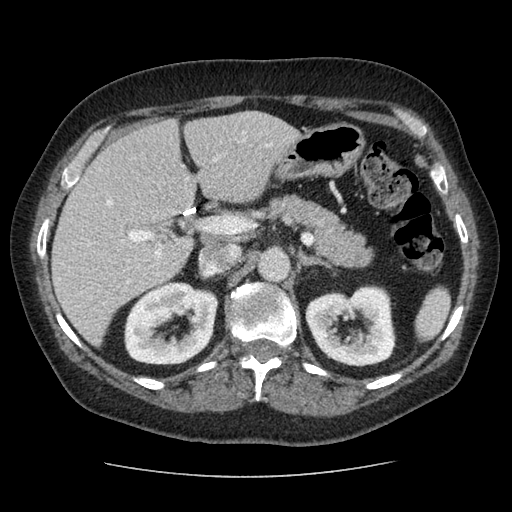
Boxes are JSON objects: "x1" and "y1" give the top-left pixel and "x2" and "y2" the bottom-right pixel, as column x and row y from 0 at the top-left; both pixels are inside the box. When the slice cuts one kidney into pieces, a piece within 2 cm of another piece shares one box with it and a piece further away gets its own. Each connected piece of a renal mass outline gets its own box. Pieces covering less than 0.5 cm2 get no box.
Arterial-phase contrast-enhanced abdominal CT, axial slice 63 of 96 (counted from the lowest slice); 2.50 mm thick, 0.689 mm per pixel. Two kidney boxes on this slice; by box centre, from the image's left to its right: (1) Right kidney at {"x1": 124, "y1": 281, "x2": 218, "y2": 365} (outlined area 6,015 px, about 28.6 cm2). (2) Box {"x1": 305, "y1": 284, "x2": 396, "y2": 366}: left kidney (outlined area 5,571 px, about 26.5 cm2). This slice carries no renal mass outline.
Acquired at 120 kVp and reconstructed with the STANDARD kernel.